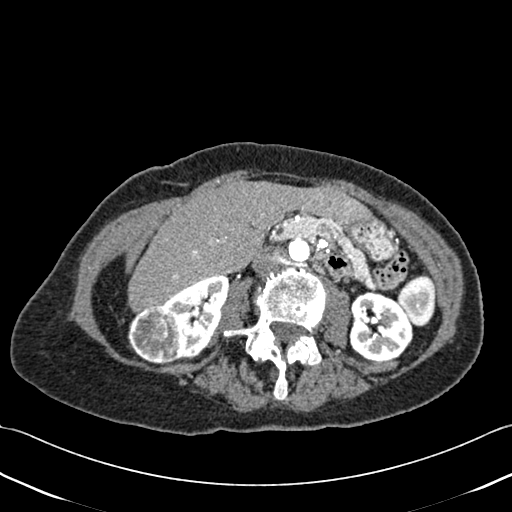
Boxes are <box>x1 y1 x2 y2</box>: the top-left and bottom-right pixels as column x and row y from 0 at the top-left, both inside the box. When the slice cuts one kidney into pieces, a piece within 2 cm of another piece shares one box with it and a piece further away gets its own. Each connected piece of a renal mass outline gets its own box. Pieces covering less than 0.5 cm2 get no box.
Slice 219/433 of a contrast-enhanced abdominal CT, counting up from the lowest; pixel size 0.672 mm, slice thickness 1.00 mm. Two kidney boxes and one renal mass box on this slice; by box centre, from the image's left to its right: (1) Right renal mass: <box>127 305 184 364</box> (outlined area 2,660 px, about 12.0 cm2). (2) At <box>160 275 229 360</box>: right kidney (outlined area 3,133 px, about 14.1 cm2). (3) Left kidney at <box>348 291 413 361</box> (outlined area 3,567 px, about 16.1 cm2).
Acquired at 120 kVp and reconstructed with the B30f kernel.